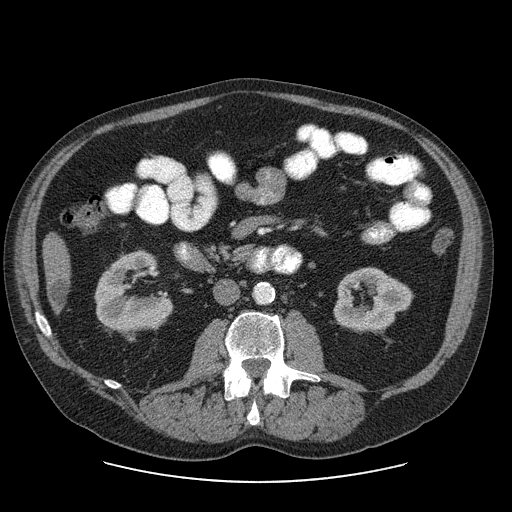
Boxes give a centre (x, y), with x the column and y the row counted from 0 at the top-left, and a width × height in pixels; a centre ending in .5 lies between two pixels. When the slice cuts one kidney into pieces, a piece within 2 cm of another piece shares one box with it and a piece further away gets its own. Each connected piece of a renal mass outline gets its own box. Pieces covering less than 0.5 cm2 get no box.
Contrast-enhanced abdominal CT, axial slice 30 of 103 (counted from the lowest slice); 2.50 mm thick, 0.820 mm per pixel. Two kidney boxes on this slice; by box centre, from the image's left to its right: (1) Right kidney, box centre (133, 296), 79 × 91 pixels (outlined area 4,344 px, about 29.2 cm2). (2) Left kidney, box centre (373, 300), 81 × 67 pixels (outlined area 3,659 px, about 24.6 cm2). No renal mass outline on this slice.
Acquired at 120 kVp and reconstructed with the STANDARD kernel.